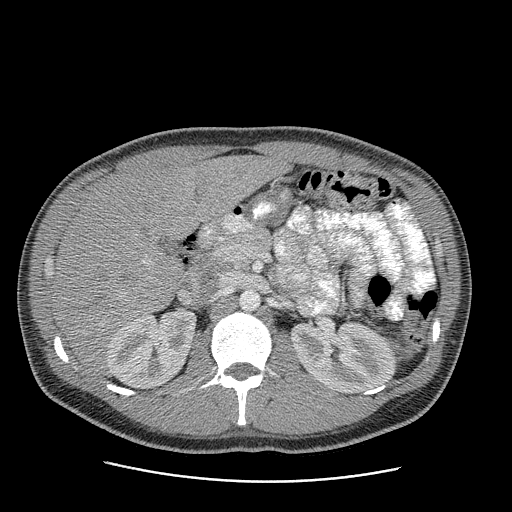
Axial slice 157 of 199 of a contrast-enhanced abdominal CT in the arterial phase (slice 1 is the lowest), 120 kVp, kernel STANDARD; 2.50 mm slice thickness and 0.789 mm pixels.
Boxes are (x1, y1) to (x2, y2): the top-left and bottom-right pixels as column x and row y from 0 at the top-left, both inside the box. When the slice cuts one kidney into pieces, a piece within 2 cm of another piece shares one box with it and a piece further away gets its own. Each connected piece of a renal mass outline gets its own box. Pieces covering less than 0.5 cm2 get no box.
Boxed on this slice (two kidney boxes), listed by box centre from the image's left to its right: (1) Right kidney, box (106, 308) to (196, 389) (outlined area 5,464 px, about 34.0 cm2). (2) Left kidney from (290, 320) to (400, 393) (outlined area 6,143 px, about 38.2 cm2). No renal mass outline on this slice.